Abdominal CT with intravenous contrast, arterial phase, axial plane, 120 kVp, kernel I30f. Slice 315/626 from the bottom of the scan; thickness 1.00 mm; pixel size 0.703 mm.
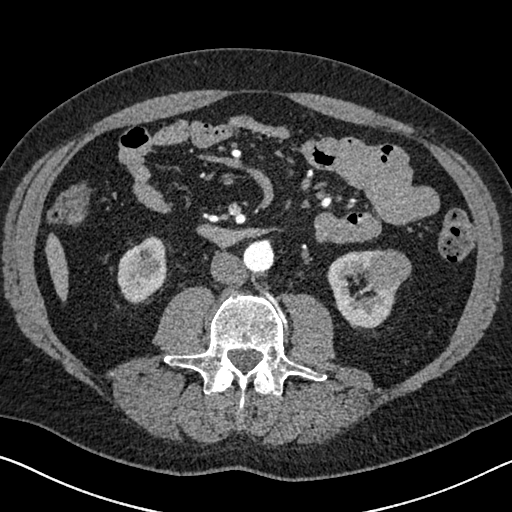
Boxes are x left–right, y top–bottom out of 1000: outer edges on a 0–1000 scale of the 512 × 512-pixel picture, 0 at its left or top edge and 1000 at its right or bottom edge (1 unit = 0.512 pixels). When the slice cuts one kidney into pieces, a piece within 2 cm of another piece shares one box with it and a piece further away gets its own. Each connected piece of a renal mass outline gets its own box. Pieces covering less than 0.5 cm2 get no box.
Boxed on this slice (two kidney boxes and one renal mass box), listed by box centre from the image's left to its right: (1) Box x 229–326, y 461–594 out of 1000: right kidney (outlined area 2,494 px, about 12.3 cm2). (2) Box x 637–779, y 488–643 out of 1000: left kidney (outlined area 3,181 px, about 15.7 cm2). (3) Box x 709–805, y 486–564 out of 1000: left renal mass (outlined area 1,501 px, about 7.4 cm2).